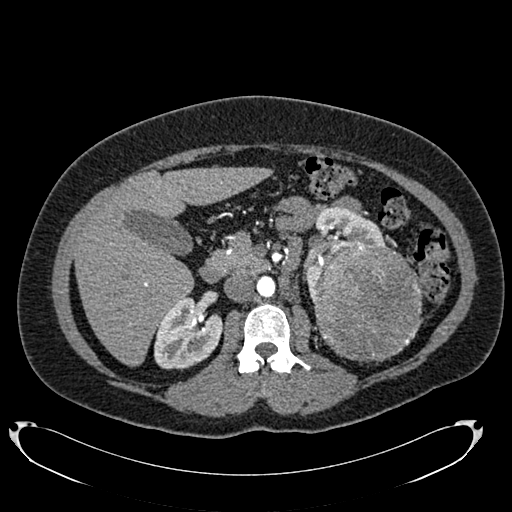
Arterial-phase contrast-enhanced abdominal CT, axial slice 444 of 634 (counted from the lowest slice); tube voltage 120 kVp, convolution kernel B20f; slices 1.00 mm thick, 0.838 mm per pixel.
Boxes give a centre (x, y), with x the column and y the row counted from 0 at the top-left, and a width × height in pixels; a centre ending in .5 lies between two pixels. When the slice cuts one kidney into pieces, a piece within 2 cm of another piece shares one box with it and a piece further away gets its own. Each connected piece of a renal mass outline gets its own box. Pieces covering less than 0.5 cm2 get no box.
Boxed on this slice (two kidney boxes and one renal mass box), listed by box centre from the image's left to its right: (1) Box centre (188, 333), 69 × 75 pixels: right kidney (outlined area 3,671 px, about 25.8 cm2). (2) Left kidney in a box with centre (345, 253), 85 × 97 pixels (outlined area 2,809 px, about 19.7 cm2). (3) Left renal mass in a box with centre (367, 302), 113 × 123 pixels (outlined area 10,716 px, about 75.2 cm2).